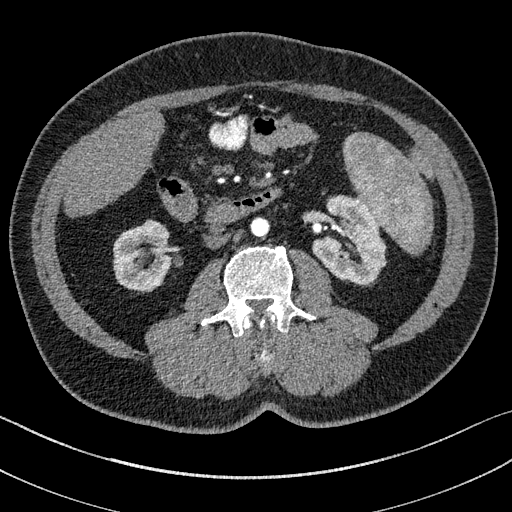
Abdominal CT with intravenous contrast, arterial phase, axial plane, 100 kVp, kernel I31f. Slice 70/195 from the bottom of the scan; thickness 1.50 mm; pixel size 0.707 mm.
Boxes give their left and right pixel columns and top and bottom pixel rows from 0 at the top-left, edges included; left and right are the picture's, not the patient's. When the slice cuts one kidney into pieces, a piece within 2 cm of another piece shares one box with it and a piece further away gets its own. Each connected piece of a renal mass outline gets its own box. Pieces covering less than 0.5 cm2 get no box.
Two boxes on this slice (two kidney boxes), listed by box centre from the image's left to its right. (1) Box with left 113, top 220, right 174, bottom 291: right kidney (outlined area 3,210 px, about 16.0 cm2). (2) Box with left 312, top 195, right 385, bottom 285: left kidney (outlined area 4,549 px, about 22.7 cm2). No renal mass outline on this slice.